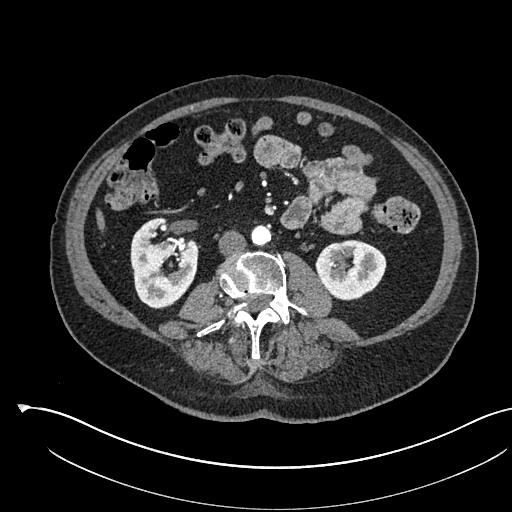
Abdominal CT with intravenous contrast, arterial phase, axial plane, 120 kVp, kernel I30f. Slice 259/541 from the bottom of the scan; thickness 1.00 mm; pixel size 0.834 mm.
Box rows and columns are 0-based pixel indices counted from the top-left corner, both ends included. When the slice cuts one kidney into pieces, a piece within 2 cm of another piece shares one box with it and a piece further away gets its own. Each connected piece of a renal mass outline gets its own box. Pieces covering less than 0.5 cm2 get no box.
Two boxes on this slice (two kidney boxes), listed by box centre from the image's left to its right. (1) Right kidney at rows 217–308, columns 130–198 (outlined area 4,554 px, about 31.7 cm2). (2) Left kidney at rows 239–300, columns 315–386 (outlined area 3,305 px, about 23.0 cm2). This slice carries no renal mass outline.